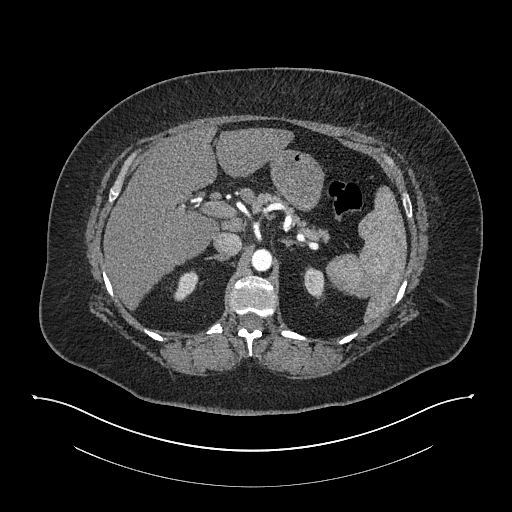
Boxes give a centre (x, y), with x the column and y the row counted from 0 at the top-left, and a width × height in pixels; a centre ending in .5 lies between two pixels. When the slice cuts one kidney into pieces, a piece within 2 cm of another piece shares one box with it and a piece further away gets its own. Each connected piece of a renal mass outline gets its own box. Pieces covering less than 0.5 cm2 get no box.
This is axial slice 569 of 673 (slice 1 is the lowest) of an arterial-phase abdominal CT with contrast; each pixel is 0.957 mm and the slice is 1.00 mm thick. Two boxes on this slice (two kidney boxes), listed by box centre from the image's left to its right. (1) Right kidney, box centre (185.5, 285.5), 26 × 32 pixels (outlined area 507 px, about 4.6 cm2). (2) Left kidney, box centre (313.5, 282.5), 22 × 34 pixels (outlined area 538 px, about 4.9 cm2). This slice carries no renal mass outline.
Scan settings: 140 kVp, I30f reconstruction kernel.